Axial slice 310 of 723 of a contrast-enhanced abdominal CT in the arterial phase (slice 1 is the lowest), 120 kVp, kernel B30f; 1.00 mm slice thickness and 0.895 mm pixels.
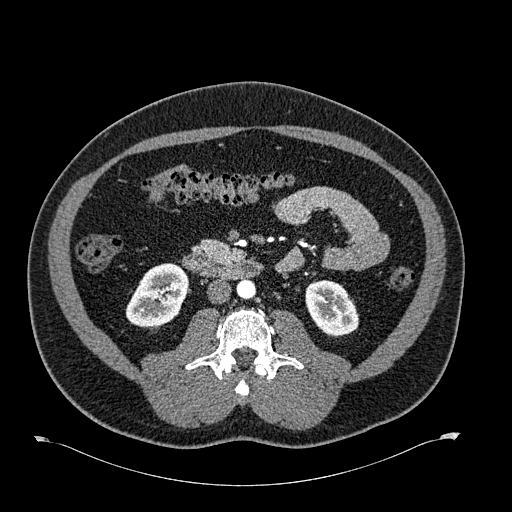
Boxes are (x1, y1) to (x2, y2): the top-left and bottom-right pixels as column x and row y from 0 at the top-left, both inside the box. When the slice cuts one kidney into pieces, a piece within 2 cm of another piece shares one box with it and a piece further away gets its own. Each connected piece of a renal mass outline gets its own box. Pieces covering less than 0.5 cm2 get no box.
Two boxes on this slice (two kidney boxes), listed by box centre from the image's left to its right. (1) Box (125, 263) to (187, 328): right kidney (outlined area 2,964 px, about 23.7 cm2). (2) Left kidney from (305, 280) to (358, 337) (outlined area 2,318 px, about 18.5 cm2). No renal mass is outlined on this slice.